One axial slice (281 of 439, counting up from the lowest) of a contrast-enhanced abdominal CT acquired with 100 kVp, kernel I40f; each pixel is 0.850 mm and the slice is 2.00 mm thick.
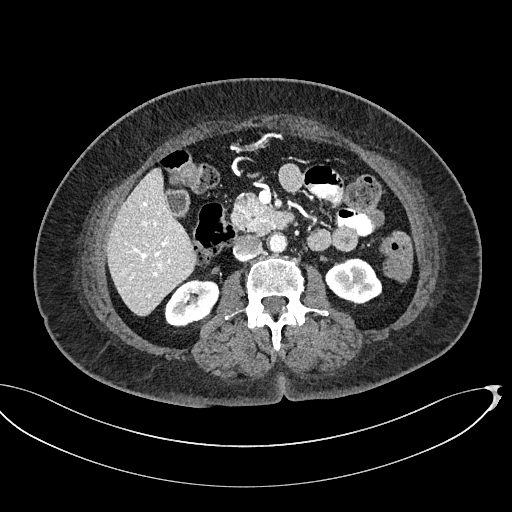
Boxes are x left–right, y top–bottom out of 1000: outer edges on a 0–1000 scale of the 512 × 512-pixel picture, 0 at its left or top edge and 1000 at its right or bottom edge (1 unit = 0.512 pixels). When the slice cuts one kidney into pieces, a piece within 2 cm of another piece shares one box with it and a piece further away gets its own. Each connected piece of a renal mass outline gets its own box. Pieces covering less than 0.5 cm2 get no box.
Boxed on this slice (two kidney boxes), listed by box centre from the image's left to its right: (1) Box x 320–430, y 543–639 out of 1000: right kidney (outlined area 1,955 px, about 14.1 cm2). (2) Box x 635–748, y 504–598 out of 1000: left kidney (outlined area 1,955 px, about 14.1 cm2). No renal mass outline on this slice.